Abdominal CT with intravenous contrast, axial plane, 140 kVp, kernel STANDARD. Slice 47/84 from the bottom of the scan; thickness 5.00 mm; pixel size 0.717 mm.
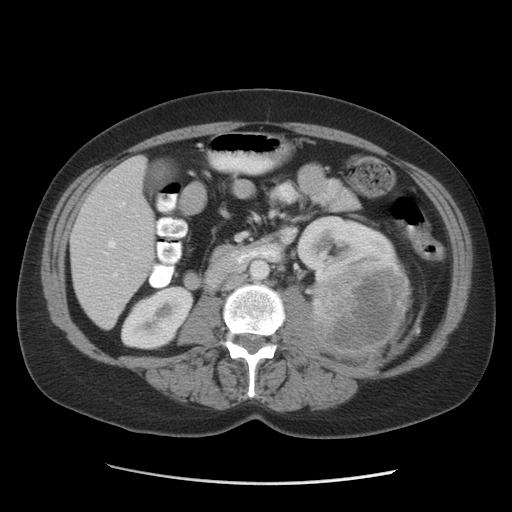
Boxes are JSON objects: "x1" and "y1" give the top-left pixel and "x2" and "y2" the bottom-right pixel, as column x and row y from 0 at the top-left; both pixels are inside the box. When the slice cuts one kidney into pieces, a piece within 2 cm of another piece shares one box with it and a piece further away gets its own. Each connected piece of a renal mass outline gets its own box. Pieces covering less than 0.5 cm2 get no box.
Two kidney boxes and one renal mass box on this slice; by box centre, from the image's left to its right: (1) Box {"x1": 120, "y1": 285, "x2": 193, "y2": 349}: right kidney (outlined area 3,307 px, about 17.0 cm2). (2) Box {"x1": 296, "y1": 215, "x2": 406, "y2": 277}: left kidney (outlined area 3,573 px, about 18.4 cm2). (3) Box {"x1": 312, "y1": 252, "x2": 412, "y2": 356}: left renal mass (outlined area 8,422 px, about 43.3 cm2).